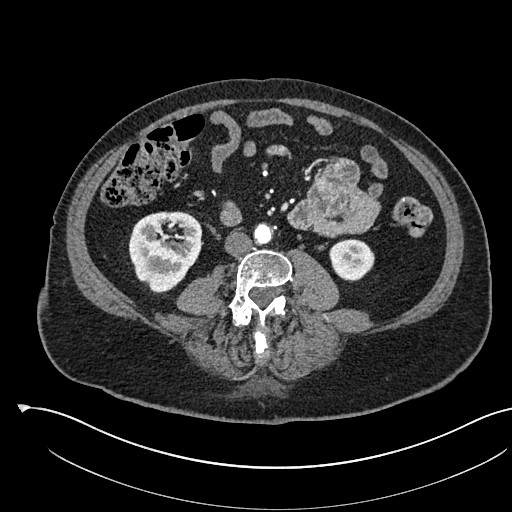
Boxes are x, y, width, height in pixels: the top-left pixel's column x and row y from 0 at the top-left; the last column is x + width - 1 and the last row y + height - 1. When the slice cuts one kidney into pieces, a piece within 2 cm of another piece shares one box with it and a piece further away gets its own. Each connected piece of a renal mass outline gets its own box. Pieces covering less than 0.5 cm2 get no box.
Slice 233/541 of a contrast-enhanced abdominal CT in the arterial phase, counting up from the lowest; pixel size 0.834 mm, slice thickness 1.00 mm. Two boxes on this slice (two kidney boxes), listed by box centre from the image's left to its right. (1) Box x 128, y 211, width 74, height 83: right kidney (outlined area 4,578 px, about 31.8 cm2). (2) Left kidney at x 329, y 239, width 46, height 43 (outlined area 1,512 px, about 10.5 cm2). No renal mass outline on this slice.
Acquired at 120 kVp and reconstructed with the I30f kernel.